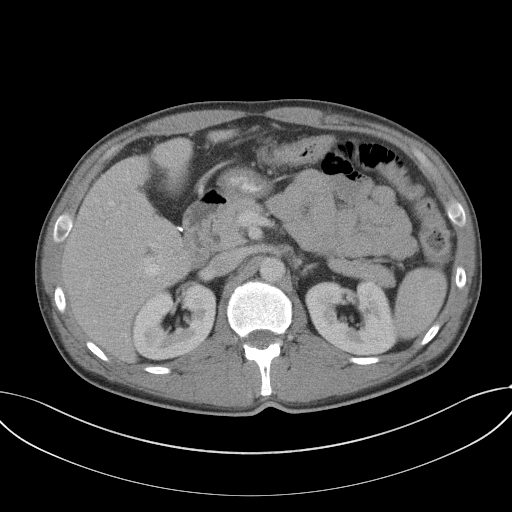
Axial slice 71 of 102 of a contrast-enhanced abdominal CT (slice 1 is the lowest), 120 kVp, kernel B41f; 5.00 mm slice thickness and 0.807 mm pixels.
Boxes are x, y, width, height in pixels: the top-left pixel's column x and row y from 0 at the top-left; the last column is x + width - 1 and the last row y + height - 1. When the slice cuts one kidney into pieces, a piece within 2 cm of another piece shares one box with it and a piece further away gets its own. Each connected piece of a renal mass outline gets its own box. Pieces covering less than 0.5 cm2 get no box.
Boxed on this slice (two kidney boxes), listed by box centre from the image's left to its right: (1) Right kidney, box x 131, y 283, width 86, height 78 (outlined area 4,835 px, about 31.5 cm2). (2) Left kidney, box x 305, y 279, width 92, height 77 (outlined area 5,118 px, about 33.3 cm2). This slice carries no renal mass outline.